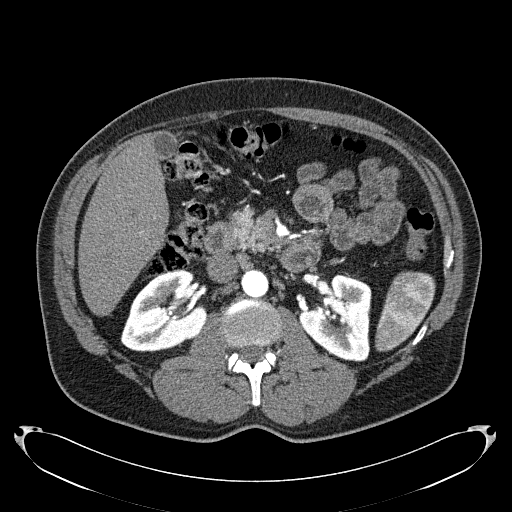
Arterial-phase contrast-enhanced abdominal CT, axial slice 121 of 279 (counted from the lowest slice); tube voltage 120 kVp, convolution kernel B31f; slices 2.00 mm thick, 0.824 mm per pixel.
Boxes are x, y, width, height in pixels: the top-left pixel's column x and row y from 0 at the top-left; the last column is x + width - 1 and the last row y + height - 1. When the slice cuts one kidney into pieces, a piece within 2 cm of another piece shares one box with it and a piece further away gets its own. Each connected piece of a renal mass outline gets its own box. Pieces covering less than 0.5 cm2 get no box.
Two kidney boxes on this slice; by box centre, from the image's left to its right: (1) Box x 120, y 269, width 87, height 83: right kidney (outlined area 5,144 px, about 34.9 cm2). (2) Left kidney, box x 297, y 274, width 75, height 88 (outlined area 4,592 px, about 31.2 cm2). This slice carries no renal mass outline.